Axial slice 39 of 103 of a contrast-enhanced abdominal CT (slice 1 is the lowest), 120 kVp, kernel STANDARD; 2.50 mm slice thickness and 0.820 mm pixels.
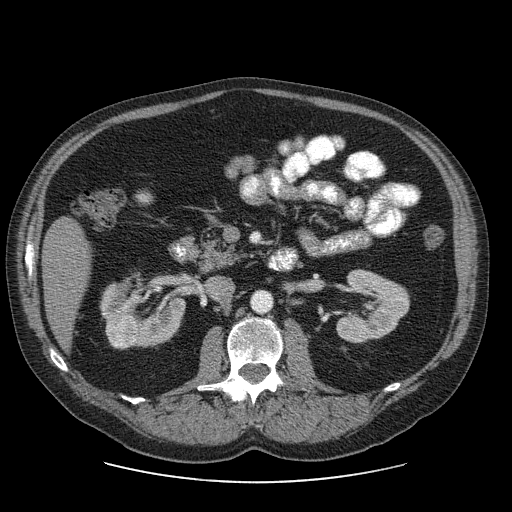
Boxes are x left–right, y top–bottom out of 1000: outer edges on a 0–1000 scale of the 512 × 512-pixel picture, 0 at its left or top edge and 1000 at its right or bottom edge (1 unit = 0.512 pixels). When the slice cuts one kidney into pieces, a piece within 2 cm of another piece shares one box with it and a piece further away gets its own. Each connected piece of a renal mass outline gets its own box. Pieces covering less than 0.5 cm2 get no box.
Boxed on this slice (two kidney boxes and one renal mass box), listed by box centre from the image's left to its right: (1) Box x 205–266, y 615–684 out of 1000: right renal mass (outlined area 857 px, about 5.8 cm2). (2) Right kidney, box x 195–363, y 529–680 out of 1000 (outlined area 3,776 px, about 25.4 cm2). (3) Box x 656–801, y 525–672 out of 1000: left kidney (outlined area 3,677 px, about 24.7 cm2).